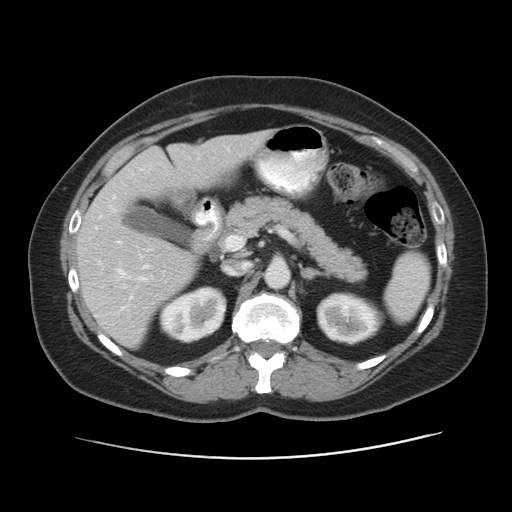
One axial slice (34 of 53, counting up from the lowest) of an arterial-phase abdominal CT acquired with 120 kVp, kernel STANDARD; each pixel is 0.703 mm and the slice is 5.00 mm thick.
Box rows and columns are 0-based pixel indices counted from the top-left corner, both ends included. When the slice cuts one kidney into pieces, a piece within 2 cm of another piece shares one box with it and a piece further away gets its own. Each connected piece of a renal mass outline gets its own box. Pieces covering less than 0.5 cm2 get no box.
Boxed on this slice (two kidney boxes), listed by box centre from the image's left to its right: (1) Right kidney, box rows 286–343, columns 158–226 (outlined area 2,948 px, about 14.6 cm2). (2) Left kidney at rows 292–345, columns 316–384 (outlined area 2,741 px, about 13.6 cm2). No renal mass is outlined on this slice.